Abdominal CT with intravenous contrast, axial plane, 100 kVp, kernel I40f. Slice 288/470 from the bottom of the scan; thickness 2.00 mm; pixel size 0.824 mm.
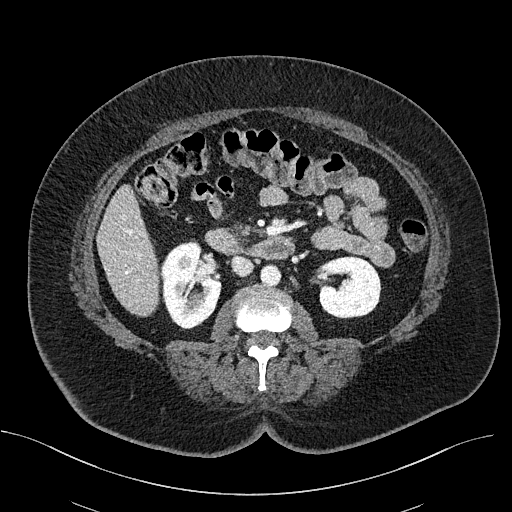
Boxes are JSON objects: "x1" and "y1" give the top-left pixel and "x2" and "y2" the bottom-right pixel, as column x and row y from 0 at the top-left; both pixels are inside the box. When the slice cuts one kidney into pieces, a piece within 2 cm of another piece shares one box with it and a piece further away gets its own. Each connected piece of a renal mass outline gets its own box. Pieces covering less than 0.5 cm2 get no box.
Two boxes on this slice (two kidney boxes), listed by box centre from the image's left to its right. (1) Right kidney, box {"x1": 160, "y1": 239, "x2": 221, "y2": 329} (outlined area 3,966 px, about 26.9 cm2). (2) Box {"x1": 313, "y1": 255, "x2": 381, "y2": 318}: left kidney (outlined area 3,296 px, about 22.4 cm2).